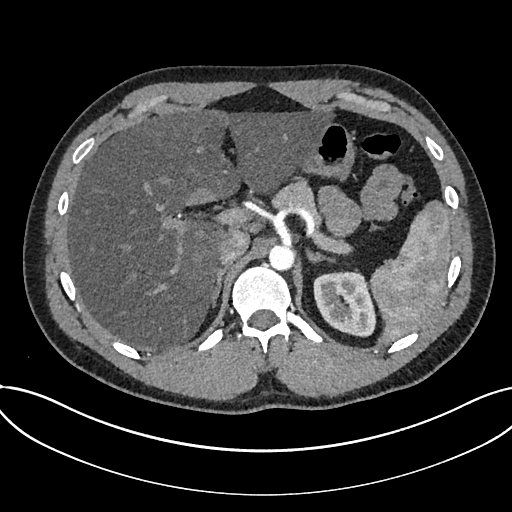
Arterial-phase contrast-enhanced abdominal CT, axial slice 546 of 735 (counted from the lowest slice); tube voltage 120 kVp, convolution kernel I30f; slices 1.00 mm thick, 0.789 mm per pixel.
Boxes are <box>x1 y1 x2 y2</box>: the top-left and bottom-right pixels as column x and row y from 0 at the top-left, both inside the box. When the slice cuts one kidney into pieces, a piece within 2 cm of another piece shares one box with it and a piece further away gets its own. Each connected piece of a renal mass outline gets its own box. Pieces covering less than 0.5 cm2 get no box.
Kidney at <box>313 271 376 337</box> (outlined area 3,242 px, about 20.2 cm2). No renal mass is outlined on this slice.